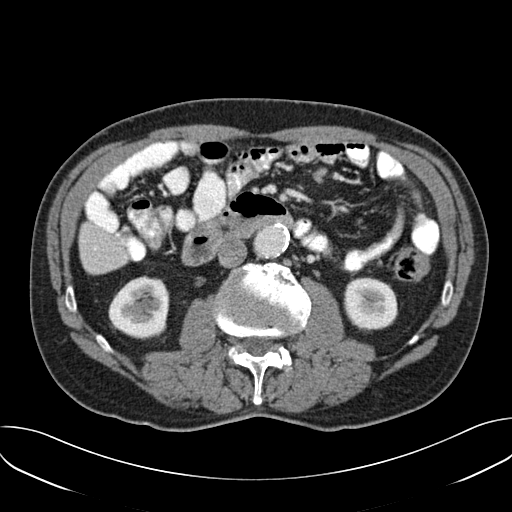
Abdominal CT with intravenous contrast, arterial phase, axial plane, 120 kVp, kernel B30f. Slice 94/157 from the bottom of the scan; thickness 3.00 mm; pixel size 0.742 mm.
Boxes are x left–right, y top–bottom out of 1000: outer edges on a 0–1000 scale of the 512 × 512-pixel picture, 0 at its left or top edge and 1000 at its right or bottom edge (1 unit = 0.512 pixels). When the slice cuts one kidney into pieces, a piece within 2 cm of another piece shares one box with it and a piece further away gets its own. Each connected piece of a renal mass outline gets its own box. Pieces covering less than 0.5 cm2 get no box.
Two boxes on this slice (two kidney boxes), listed by box centre from the image's left to its right. (1) Right kidney, box x 211–332, y 537–662 out of 1000 (outlined area 3,012 px, about 16.6 cm2). (2) Left kidney at x 670–777, y 541–645 out of 1000 (outlined area 2,384 px, about 13.1 cm2). No renal mass is outlined on this slice.